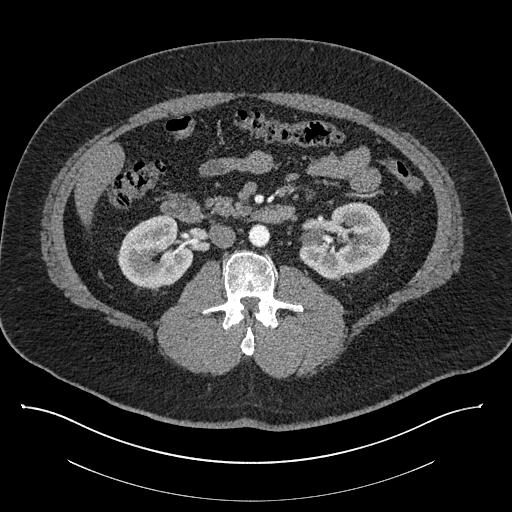
Contrast-enhanced abdominal CT, axial slice 472 of 787 (counted from the lowest slice); tube voltage 140 kVp, convolution kernel I30f; slices 1.00 mm thick, 0.910 mm per pixel.
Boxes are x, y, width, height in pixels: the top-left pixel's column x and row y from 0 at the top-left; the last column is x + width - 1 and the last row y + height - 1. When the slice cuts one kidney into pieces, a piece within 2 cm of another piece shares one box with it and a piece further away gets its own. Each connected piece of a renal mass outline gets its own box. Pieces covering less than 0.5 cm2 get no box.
Two kidney boxes on this slice; by box centre, from the image's left to its right: (1) Box x 117, y 214, width 76, height 75: right kidney (outlined area 4,137 px, about 34.3 cm2). (2) Box x 299, y 202, width 92, height 78: left kidney (outlined area 5,065 px, about 42.0 cm2). No renal mass is outlined on this slice.